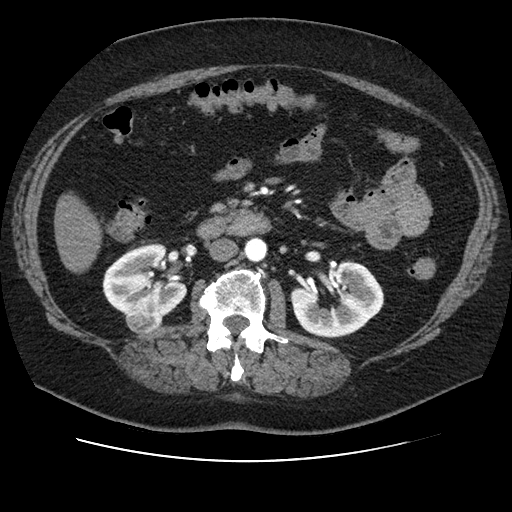
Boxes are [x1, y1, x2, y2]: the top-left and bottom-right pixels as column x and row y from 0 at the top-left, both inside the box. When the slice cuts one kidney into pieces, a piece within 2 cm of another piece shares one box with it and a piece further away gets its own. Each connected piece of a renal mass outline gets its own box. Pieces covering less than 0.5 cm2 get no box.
Slice 51/106 of a contrast-enhanced abdominal CT in the arterial phase, counting up from the lowest; pixel size 0.742 mm, slice thickness 2.50 mm. Three boxes on this slice (two kidney boxes and one renal mass box), listed by box centre from the image's left to its right. (1) Right kidney, box [102, 242, 186, 315] (outlined area 4,203 px, about 23.2 cm2). (2) Right renal mass at [125, 299, 163, 334] (outlined area 998 px, about 5.5 cm2). (3) Left kidney at [290, 260, 384, 337] (outlined area 4,971 px, about 27.4 cm2).
Tube voltage 120 kVp; convolution kernel STANDARD.